Axial slice 52 of 270 of a contrast-enhanced abdominal CT in the arterial phase (slice 1 is the lowest), 100 kVp, kernel I40f; 2.00 mm slice thickness and 0.855 mm pixels.
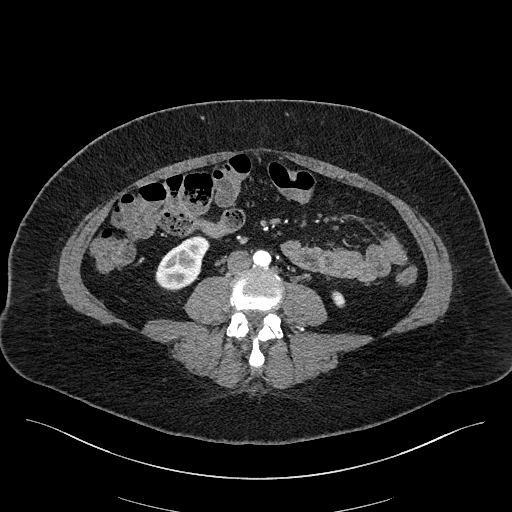
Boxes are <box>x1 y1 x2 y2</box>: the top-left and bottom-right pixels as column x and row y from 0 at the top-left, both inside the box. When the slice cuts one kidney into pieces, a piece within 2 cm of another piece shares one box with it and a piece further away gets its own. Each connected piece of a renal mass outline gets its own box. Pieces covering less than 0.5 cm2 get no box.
Boxed on this slice (two kidney boxes), listed by box centre from the image's left to its right: (1) Right kidney at <box>155 235 209 291</box> (outlined area 1,968 px, about 14.4 cm2). (2) At <box>331 291 345 307</box>: left kidney (outlined area 167 px, about 1.2 cm2). No renal mass is outlined on this slice.